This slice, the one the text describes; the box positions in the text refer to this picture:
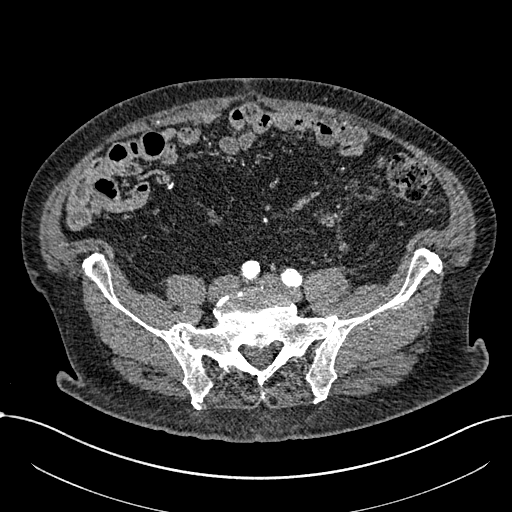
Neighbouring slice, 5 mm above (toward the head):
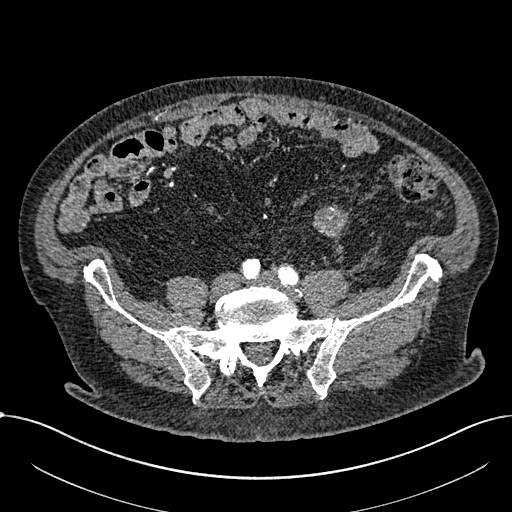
Abdominal CT with intravenous contrast, arterial phase, axial plane, 100 kVp, kernel I30f. Slice 149/1059 from the bottom of the scan; thickness 1.00 mm; pixel size 0.811 mm.
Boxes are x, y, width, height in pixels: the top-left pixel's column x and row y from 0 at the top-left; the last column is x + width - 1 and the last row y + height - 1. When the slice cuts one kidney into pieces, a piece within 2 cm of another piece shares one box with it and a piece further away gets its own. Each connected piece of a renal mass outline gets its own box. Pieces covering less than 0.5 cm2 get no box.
Box x 319, y 214, width 16, height 12: renal mass (outlined area 155 px, about 1.0 cm2); no kidney outline appears on this slice, but the same outlined renal mass comes within 1 cm of the kidney on another slice. This slice lies near the end of a renal mass toward the feet; the slice 5 mm above it is shown too, and the boxes mark positions on this slice only.